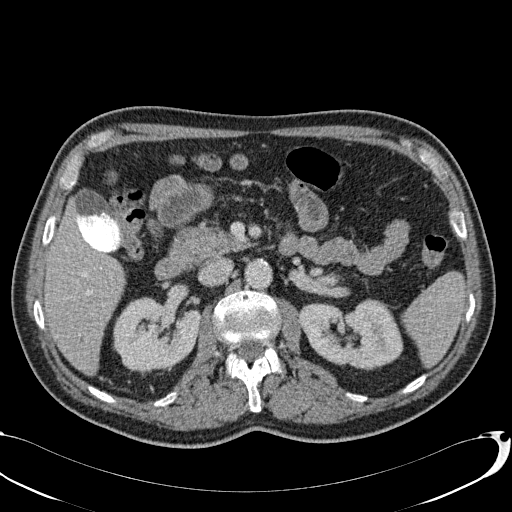
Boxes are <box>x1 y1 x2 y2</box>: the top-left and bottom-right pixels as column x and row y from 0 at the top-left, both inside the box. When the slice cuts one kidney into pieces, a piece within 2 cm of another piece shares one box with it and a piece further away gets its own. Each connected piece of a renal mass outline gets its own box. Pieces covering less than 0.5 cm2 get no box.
Contrast-enhanced abdominal CT, axial slice 49 of 113 (counted from the lowest slice); 2.00 mm thick, 0.742 mm per pixel. Boxed on this slice (two kidney boxes), listed by box centre from the image's left to its right: (1) Right kidney: <box>113 297 199 372</box> (outlined area 5,115 px, about 28.2 cm2). (2) At <box>299 298 403 370</box>: left kidney (outlined area 5,441 px, about 30.0 cm2). No renal mass outline on this slice.
Acquired at 120 kVp and reconstructed with the B31f kernel.